Axial slice 117 of 233 of a contrast-enhanced abdominal CT in the arterial phase (slice 1 is the lowest), 120 kVp, kernel STANDARD; 1.25 mm slice thickness and 0.703 mm pixels.
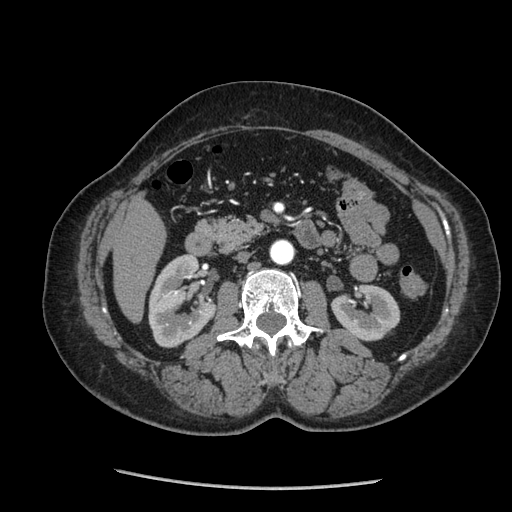
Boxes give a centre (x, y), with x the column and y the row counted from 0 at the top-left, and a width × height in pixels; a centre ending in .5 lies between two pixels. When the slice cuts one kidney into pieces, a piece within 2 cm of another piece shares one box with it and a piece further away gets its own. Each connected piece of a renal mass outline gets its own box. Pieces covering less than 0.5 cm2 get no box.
Boxed on this slice (two kidney boxes), listed by box centre from the image's left to its right: (1) Right kidney in a box with centre (182.5, 300), 70 × 95 pixels (outlined area 4,567 px, about 22.6 cm2). (2) Left kidney in a box with centre (365, 312), 71 × 59 pixels (outlined area 2,822 px, about 14.0 cm2). No renal mass outline on this slice.